Abdominal CT with intravenous contrast, arterial phase, axial plane, 120 kVp, kernel I26f. Slice 773/987 from the bottom of the scan; thickness 1.00 mm; pixel size 0.977 mm.
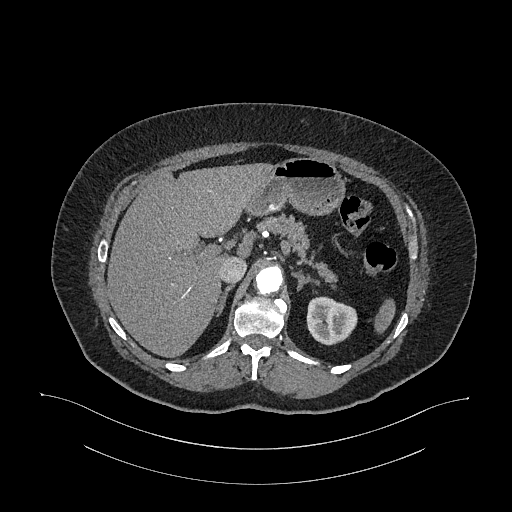
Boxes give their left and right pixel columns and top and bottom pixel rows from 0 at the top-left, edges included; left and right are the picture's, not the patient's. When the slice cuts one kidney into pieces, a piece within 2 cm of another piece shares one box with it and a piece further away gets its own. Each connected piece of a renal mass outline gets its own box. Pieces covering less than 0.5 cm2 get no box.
Left kidney in the box with left 306, top 296, right 357, bottom 345 (outlined area 1,932 px, about 18.4 cm2). This slice carries no renal mass outline.